One axial slice (427 of 591, counting up from the lowest) of an arterial-phase abdominal CT acquired with 140 kVp, kernel I30f; each pixel is 0.703 mm and the slice is 1.00 mm thick.
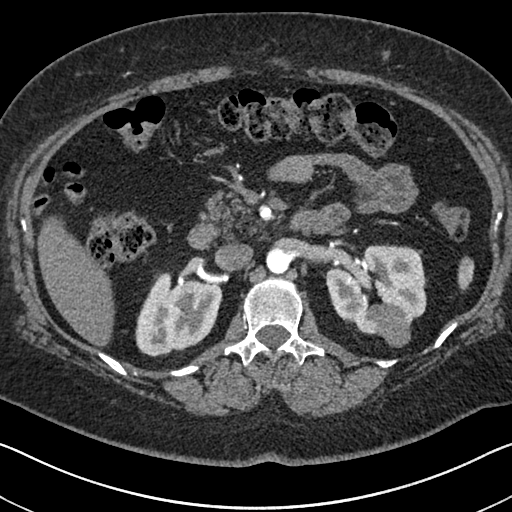
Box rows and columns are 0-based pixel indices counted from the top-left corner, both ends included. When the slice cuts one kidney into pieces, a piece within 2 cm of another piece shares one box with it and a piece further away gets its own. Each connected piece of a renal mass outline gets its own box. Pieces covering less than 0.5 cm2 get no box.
Two kidney boxes and one renal mass box on this slice; by box centre, from the image's left to its right: (1) Box rows 271–356, columns 135–222: right kidney (outlined area 5,433 px, about 26.9 cm2). (2) Left kidney at rows 244–334, columns 326–427 (outlined area 5,952 px, about 29.4 cm2). (3) Box rows 303–347, columns 368–410: left renal mass (outlined area 1,350 px, about 6.7 cm2).